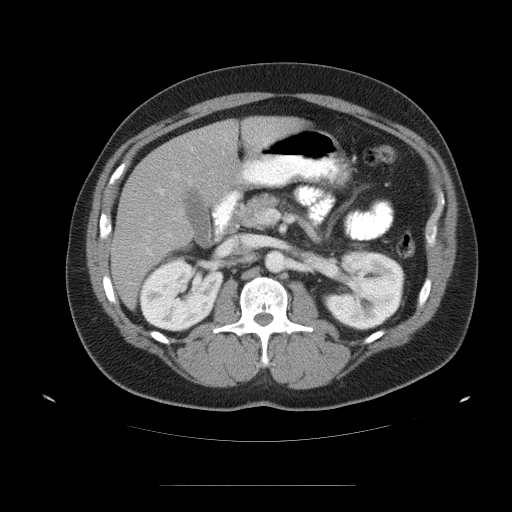
Axial slice 70 of 99 of a contrast-enhanced abdominal CT (slice 1 is the lowest), 120 kVp, kernel STANDARD; 5.00 mm slice thickness and 0.938 mm pixels.
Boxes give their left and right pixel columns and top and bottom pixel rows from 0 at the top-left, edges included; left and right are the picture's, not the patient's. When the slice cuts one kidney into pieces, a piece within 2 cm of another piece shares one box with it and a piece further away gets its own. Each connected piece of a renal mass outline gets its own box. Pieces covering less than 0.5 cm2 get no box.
Boxed on this slice (two kidney boxes), listed by box centre from the image's left to its right: (1) Box with left 138, top 254, right 223, bottom 331: right kidney (outlined area 4,816 px, about 42.3 cm2). (2) Box with left 321, top 248, right 404, bottom 330: left kidney (outlined area 5,038 px, about 44.3 cm2). No renal mass outline on this slice.